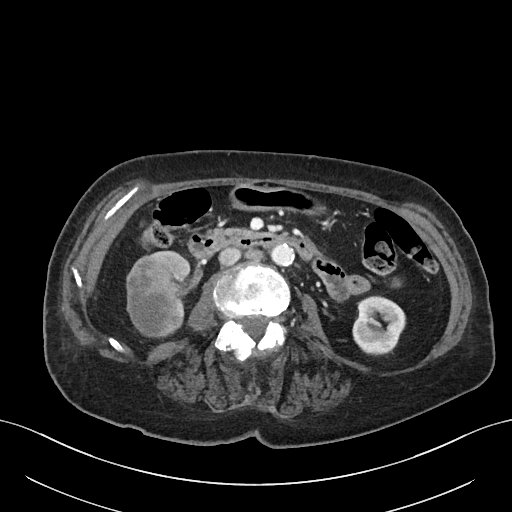
Abdominal CT with intravenous contrast, axial plane, 100 kVp, kernel I40f. Slice 25/76 from the bottom of the scan; thickness 3.00 mm; pixel size 0.768 mm.
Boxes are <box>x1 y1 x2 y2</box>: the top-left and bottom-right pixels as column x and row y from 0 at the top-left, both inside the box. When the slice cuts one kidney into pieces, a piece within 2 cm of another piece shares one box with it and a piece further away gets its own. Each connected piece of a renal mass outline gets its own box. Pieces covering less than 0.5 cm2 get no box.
Boxed on this slice (two kidney boxes and one renal mass box), listed by box centre from the image's left to its right: (1) At <box>126 255 177 337</box>: right renal mass (outlined area 3,431 px, about 20.2 cm2). (2) Right kidney at <box>149 250 191 332</box> (outlined area 1,191 px, about 7.0 cm2). (3) Left kidney at <box>352 295 406 355</box> (outlined area 2,462 px, about 14.5 cm2).